Axial slice 397 of 734 of a contrast-enhanced abdominal CT (slice 1 is the lowest), 120 kVp, kernel B31f; 2.00 mm slice thickness and 0.971 mm pixels.
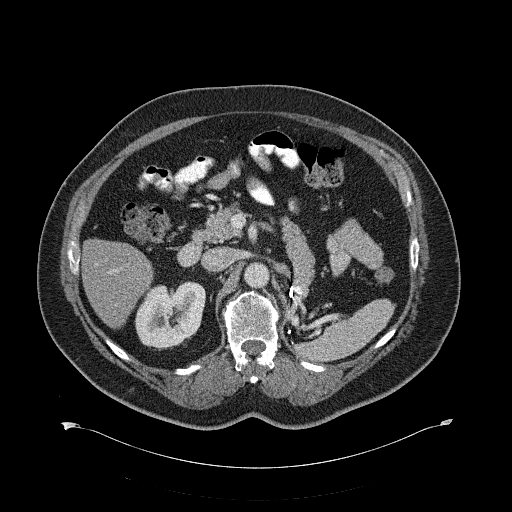
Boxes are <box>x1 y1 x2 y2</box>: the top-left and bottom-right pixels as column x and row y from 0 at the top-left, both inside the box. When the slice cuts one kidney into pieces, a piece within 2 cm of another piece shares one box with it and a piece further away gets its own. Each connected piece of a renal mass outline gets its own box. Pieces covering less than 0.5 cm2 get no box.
At <box>134 281 205 350</box>: right kidney (outlined area 3,675 px, about 34.6 cm2). No renal mass is outlined on this slice.